One axial slice (373 of 591, counting up from the lowest) of an arterial-phase abdominal CT acquired with 140 kVp, kernel I30f; each pixel is 0.703 mm and the slice is 1.00 mm thick.
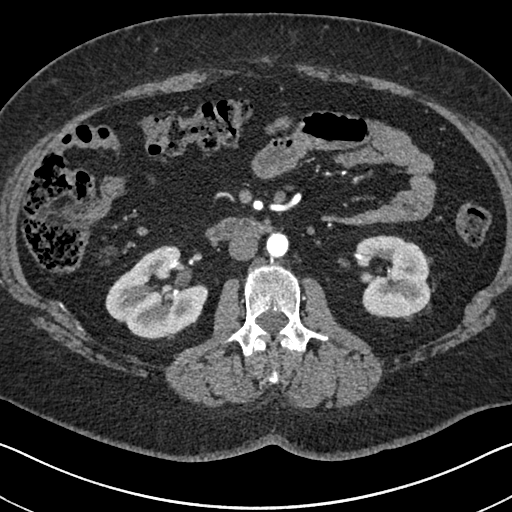
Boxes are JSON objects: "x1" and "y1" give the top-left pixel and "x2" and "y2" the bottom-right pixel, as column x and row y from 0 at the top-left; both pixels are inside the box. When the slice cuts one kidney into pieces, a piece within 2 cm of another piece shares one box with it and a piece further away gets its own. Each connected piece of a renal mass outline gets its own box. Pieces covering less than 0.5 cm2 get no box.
Two kidney boxes on this slice; by box centre, from the image's left to its right: (1) Right kidney at {"x1": 105, "y1": 245, "x2": 208, "y2": 339} (outlined area 6,345 px, about 31.4 cm2). (2) Box {"x1": 354, "y1": 235, "x2": 431, "y2": 317}: left kidney (outlined area 4,899 px, about 24.2 cm2). No renal mass outline on this slice.